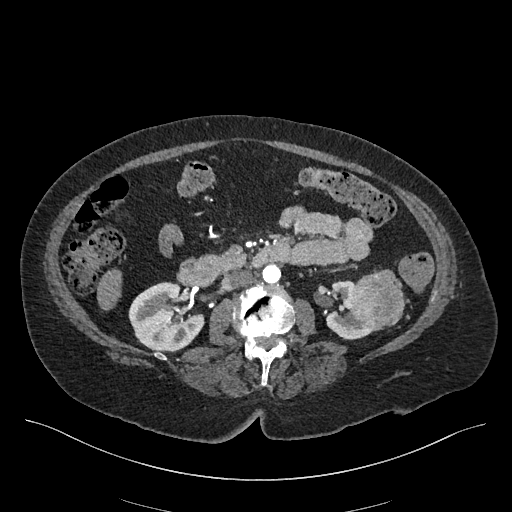
Axial slice 234 of 548 of a contrast-enhanced abdominal CT in the arterial phase (slice 1 is the lowest), 120 kVp, kernel I26f; 1.00 mm slice thickness and 0.852 mm pixels.
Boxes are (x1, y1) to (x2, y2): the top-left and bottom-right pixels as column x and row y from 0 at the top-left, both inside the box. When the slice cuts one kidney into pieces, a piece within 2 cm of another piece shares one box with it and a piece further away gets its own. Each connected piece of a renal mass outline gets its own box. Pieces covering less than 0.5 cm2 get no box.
Three boxes on this slice (two kidney boxes and one renal mass box), listed by box centre from the image's left to its right. (1) Right kidney, box (128, 282) to (204, 351) (outlined area 3,878 px, about 28.1 cm2). (2) Left kidney, box (325, 280) to (377, 339) (outlined area 1,586 px, about 11.5 cm2). (3) Left renal mass from (351, 269) to (404, 329) (outlined area 2,518 px, about 18.3 cm2).